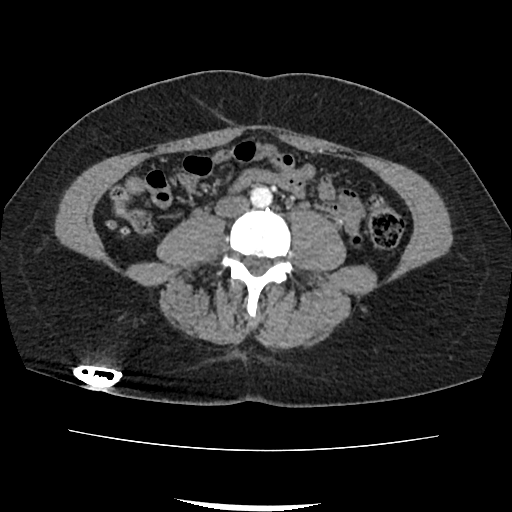
This is axial slice 20 of 103 (slice 1 is the lowest) of an abdominal CT with contrast; each pixel is 0.714 mm and the slice is 3.00 mm thick. This slice carries no outline: it lies beyond the outlined kidneys and beyond every outlined renal mass. Other organs are not outlined in this scan.
Acquired at 120 kVp and reconstructed with the FC18 kernel.